One axial slice (64 of 146, counting up from the lowest) of a contrast-enhanced abdominal CT acquired with 120 kVp, kernel B31f; each pixel is 0.742 mm and the slice is 5.00 mm thick.
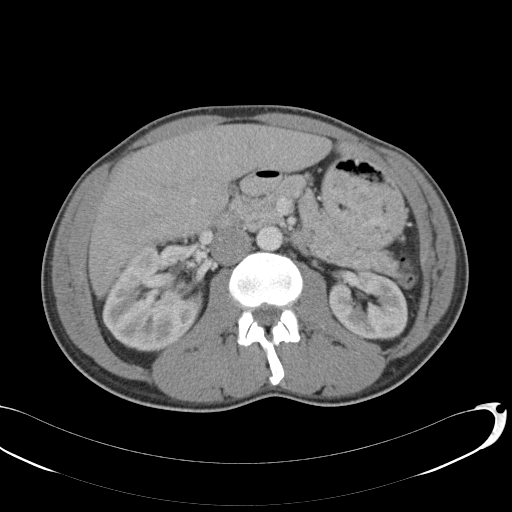
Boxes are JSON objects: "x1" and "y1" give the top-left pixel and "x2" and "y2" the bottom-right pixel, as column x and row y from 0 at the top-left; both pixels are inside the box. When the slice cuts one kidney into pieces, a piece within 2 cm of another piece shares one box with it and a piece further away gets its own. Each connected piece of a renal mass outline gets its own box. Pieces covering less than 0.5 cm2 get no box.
Boxed on this slice (two kidney boxes), listed by box centre from the image's left to its right: (1) Right kidney, box {"x1": 102, "y1": 247, "x2": 202, "y2": 352} (outlined area 7,497 px, about 41.3 cm2). (2) Box {"x1": 328, "y1": 270, "x2": 408, "y2": 340}: left kidney (outlined area 4,249 px, about 23.4 cm2). No renal mass outline on this slice.